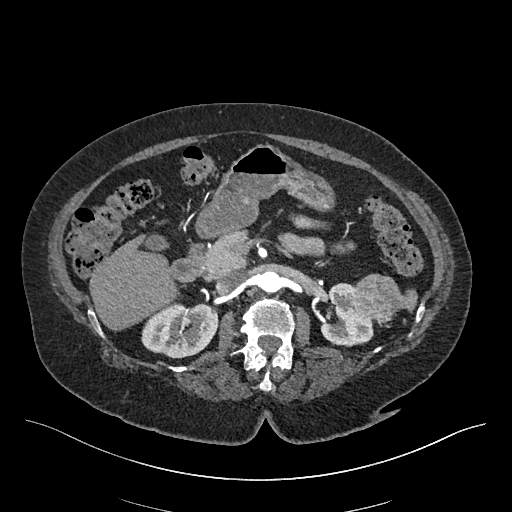
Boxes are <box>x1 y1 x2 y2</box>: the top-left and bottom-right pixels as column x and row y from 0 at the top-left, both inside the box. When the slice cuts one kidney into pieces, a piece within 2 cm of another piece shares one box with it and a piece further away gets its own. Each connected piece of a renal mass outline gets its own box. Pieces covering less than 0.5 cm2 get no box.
Slice 274/548 of a contrast-enhanced abdominal CT in the arterial phase, counting up from the lowest; pixel size 0.852 mm, slice thickness 1.00 mm. Three boxes on this slice (two kidney boxes and one renal mass box), listed by box centre from the image's left to its right. (1) Right kidney at <box>141 302 218 358</box> (outlined area 3,324 px, about 24.1 cm2). (2) Left kidney at <box>320 283 374 346</box> (outlined area 2,161 px, about 15.7 cm2). (3) Left renal mass: <box>351 273 402 326</box> (outlined area 1,986 px, about 14.4 cm2).
Acquired at 120 kVp and reconstructed with the I26f kernel.